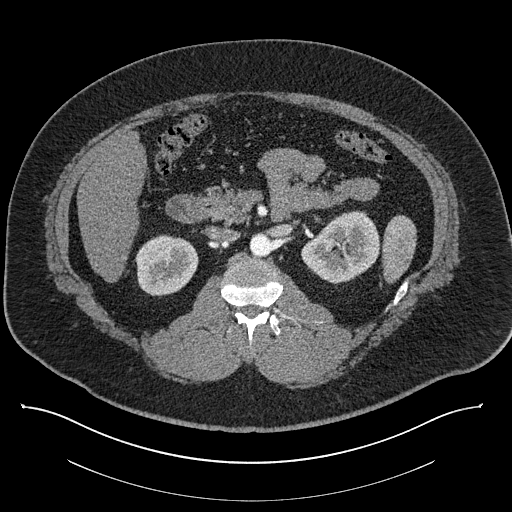
Contrast-enhanced abdominal CT, axial slice 513 of 787 (counted from the lowest slice); tube voltage 140 kVp, convolution kernel I30f; slices 1.00 mm thick, 0.910 mm per pixel.
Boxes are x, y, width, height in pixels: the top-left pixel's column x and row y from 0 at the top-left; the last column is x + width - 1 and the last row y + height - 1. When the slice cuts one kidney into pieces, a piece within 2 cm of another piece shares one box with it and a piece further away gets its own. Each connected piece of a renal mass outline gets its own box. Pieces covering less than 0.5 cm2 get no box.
Two boxes on this slice (two kidney boxes), listed by box centre from the image's left to its right. (1) Right kidney at x 135, y 234, width 64, height 63 (outlined area 3,057 px, about 25.3 cm2). (2) Box x 301, y 210, width 80, height 75: left kidney (outlined area 4,078 px, about 33.8 cm2). This slice carries no renal mass outline.